Arterial-phase contrast-enhanced abdominal CT, axial slice 216 of 620 (counted from the lowest slice); tube voltage 120 kVp, convolution kernel B31f; slices 2.00 mm thick, 0.637 mm per pixel.
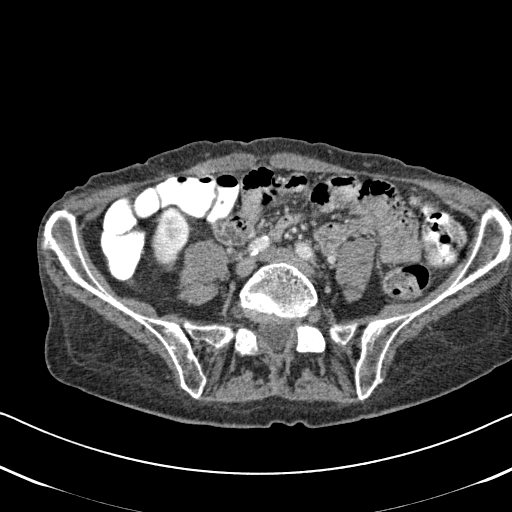
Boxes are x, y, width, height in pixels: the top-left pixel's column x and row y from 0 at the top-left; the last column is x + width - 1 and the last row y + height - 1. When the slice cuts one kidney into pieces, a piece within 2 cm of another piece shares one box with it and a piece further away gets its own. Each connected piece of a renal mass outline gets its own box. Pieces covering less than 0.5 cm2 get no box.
Right kidney at x 151, y 206, width 42, height 66 (outlined area 1,848 px, about 7.5 cm2). This slice carries no renal mass outline.